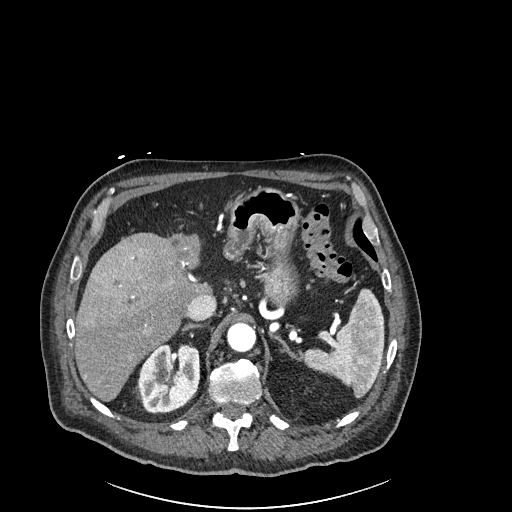
Arterial-phase contrast-enhanced abdominal CT, axial slice 172 of 261 (counted from the lowest slice); tube voltage 120 kVp, convolution kernel I30f; slices 2.00 mm thick, 0.939 mm per pixel.
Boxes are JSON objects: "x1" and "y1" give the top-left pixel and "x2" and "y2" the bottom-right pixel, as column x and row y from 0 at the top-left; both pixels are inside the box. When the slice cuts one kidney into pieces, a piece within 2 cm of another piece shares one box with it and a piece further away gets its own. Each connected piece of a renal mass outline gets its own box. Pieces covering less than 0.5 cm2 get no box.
Right kidney at {"x1": 137, "y1": 343, "x2": 199, "y2": 413} (outlined area 3,465 px, about 30.6 cm2). This slice carries no renal mass outline.